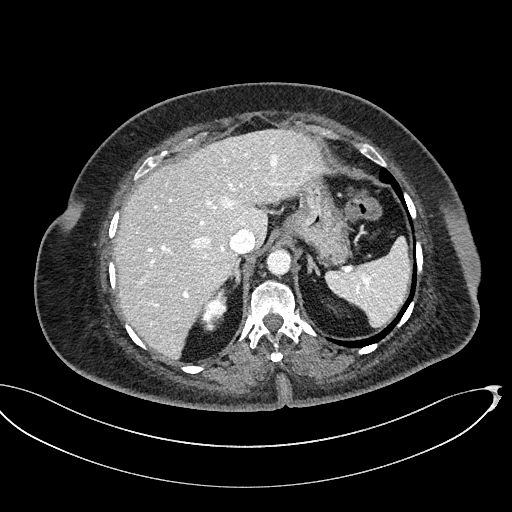
Contrast-enhanced abdominal CT, axial slice 367 of 439 (counted from the lowest slice); tube voltage 100 kVp, convolution kernel I40f; slices 2.00 mm thick, 0.850 mm per pixel.
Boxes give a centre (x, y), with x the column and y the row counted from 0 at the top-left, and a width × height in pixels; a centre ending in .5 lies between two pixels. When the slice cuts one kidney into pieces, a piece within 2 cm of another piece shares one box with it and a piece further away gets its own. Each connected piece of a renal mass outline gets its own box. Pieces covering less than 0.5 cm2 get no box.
Right kidney in a box with centre (214.5, 308.5), 32 × 46 pixels (outlined area 846 px, about 6.1 cm2). No renal mass is outlined on this slice.